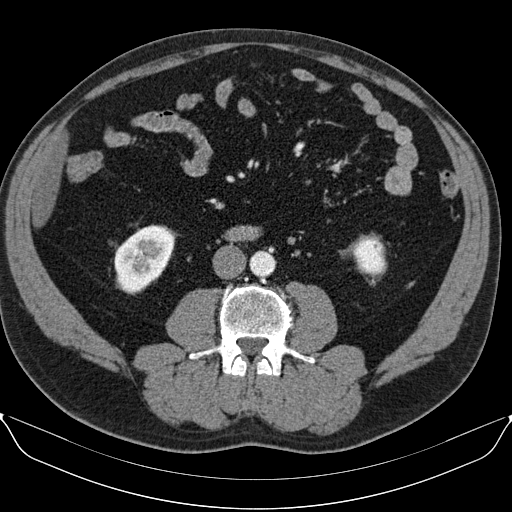
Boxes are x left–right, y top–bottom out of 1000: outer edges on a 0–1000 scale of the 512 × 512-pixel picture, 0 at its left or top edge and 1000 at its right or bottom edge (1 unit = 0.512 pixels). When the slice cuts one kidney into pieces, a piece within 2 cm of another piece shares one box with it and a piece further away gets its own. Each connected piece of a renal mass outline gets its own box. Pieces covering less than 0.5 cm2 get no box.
Arterial-phase contrast-enhanced abdominal CT, axial slice 31 of 96 (counted from the lowest slice); 3.00 mm thick, 0.781 mm per pixel. Two boxes on this slice (two kidney boxes), listed by box centre from the image's left to its right. (1) Right kidney, box x 223–346, y 438–576 out of 1000 (outlined area 3,085 px, about 18.8 cm2). (2) Box x 689–756, y 469–541 out of 1000: left kidney (outlined area 995 px, about 6.1 cm2). No renal mass is outlined on this slice.
Scan settings: 130 kVp, B30s reconstruction kernel.